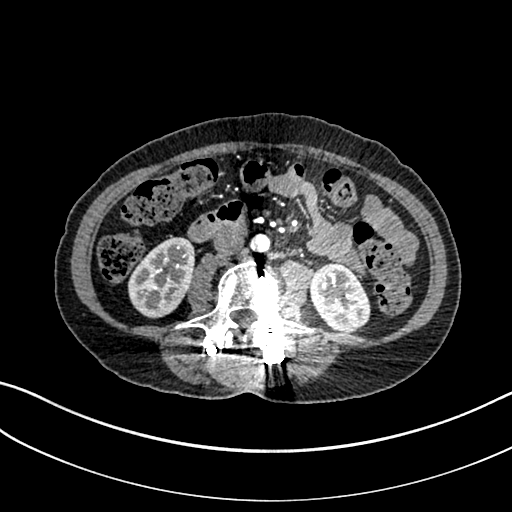
Arterial-phase contrast-enhanced abdominal CT, axial slice 101 of 325 (counted from the lowest slice); tube voltage 100 kVp, convolution kernel I30f; slices 1.00 mm thick, 0.703 mm per pixel.
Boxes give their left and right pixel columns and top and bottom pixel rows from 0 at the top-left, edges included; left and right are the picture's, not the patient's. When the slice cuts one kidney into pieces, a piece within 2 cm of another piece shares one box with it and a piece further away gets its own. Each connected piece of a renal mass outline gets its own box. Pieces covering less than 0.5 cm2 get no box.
Two kidney boxes on this slice; by box centre, from the image's left to its right: (1) Right kidney, the box with left 128, top 237, right 195, bottom 318 (outlined area 3,922 px, about 19.4 cm2). (2) Box with left 309, top 263, right 370, bottom 331: left kidney (outlined area 3,264 px, about 16.1 cm2). No renal mass is outlined on this slice.